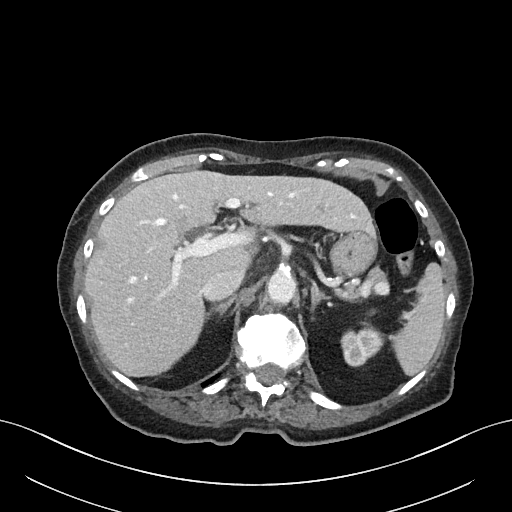
Contrast-enhanced abdominal CT, axial slice 49 of 76 (counted from the lowest slice); tube voltage 100 kVp, convolution kernel I40f; slices 3.00 mm thick, 0.768 mm per pixel.
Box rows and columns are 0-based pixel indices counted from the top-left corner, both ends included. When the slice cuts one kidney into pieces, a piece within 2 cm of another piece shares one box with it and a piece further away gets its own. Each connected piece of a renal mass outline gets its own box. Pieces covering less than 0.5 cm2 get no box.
Box rows 327–367, columns 340–383: left kidney (outlined area 1,266 px, about 7.5 cm2). This slice carries no renal mass outline.